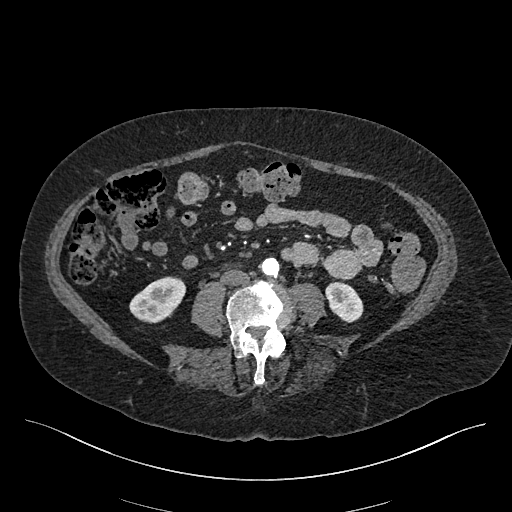
Abdominal CT with intravenous contrast, arterial phase, axial plane, 120 kVp, kernel I26f. Slice 163/548 from the bottom of the scan; thickness 1.00 mm; pixel size 0.852 mm.
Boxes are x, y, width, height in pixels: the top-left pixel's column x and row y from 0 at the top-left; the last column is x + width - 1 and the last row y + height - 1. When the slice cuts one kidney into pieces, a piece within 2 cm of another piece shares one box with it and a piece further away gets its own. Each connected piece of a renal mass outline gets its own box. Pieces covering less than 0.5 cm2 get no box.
Two kidney boxes on this slice; by box centre, from the image's left to its right: (1) Right kidney at x 129, y 276, width 57, height 48 (outlined area 1,834 px, about 13.3 cm2). (2) Left kidney at x 325, y 282, width 39, height 41 (outlined area 1,142 px, about 8.3 cm2). No renal mass outline on this slice.